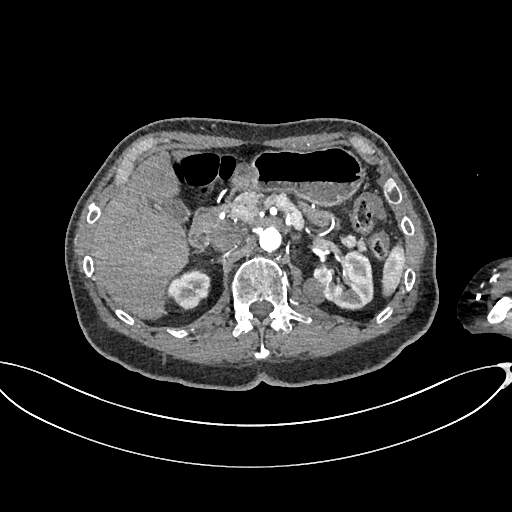
Axial slice 446 of 665 of a contrast-enhanced abdominal CT in the arterial phase (slice 1 is the lowest), 100 kVp, kernel I26f; 1.00 mm slice thickness and 0.828 mm pixels.
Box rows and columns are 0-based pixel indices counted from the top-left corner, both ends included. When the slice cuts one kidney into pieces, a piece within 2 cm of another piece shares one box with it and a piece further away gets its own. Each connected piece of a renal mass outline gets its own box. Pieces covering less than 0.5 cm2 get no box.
Three boxes on this slice (two kidney boxes and one renal mass box), listed by box centre from the image's left to its right. (1) Box rows 270–310, columns 167–210: right kidney (outlined area 1,286 px, about 8.8 cm2). (2) Left renal mass, box rows 277–305, columns 295–324 (outlined area 579 px, about 4.0 cm2). (3) Left kidney, box rows 250–307, columns 313–372 (outlined area 2,460 px, about 16.9 cm2).